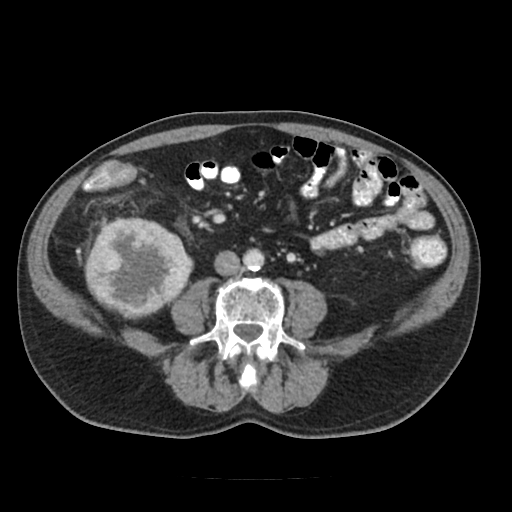
One axial slice (47 of 91, counting up from the lowest) of a contrast-enhanced abdominal CT acquired with 120 kVp, kernel FC18; each pixel is 0.766 mm and the slice is 5.00 mm thick.
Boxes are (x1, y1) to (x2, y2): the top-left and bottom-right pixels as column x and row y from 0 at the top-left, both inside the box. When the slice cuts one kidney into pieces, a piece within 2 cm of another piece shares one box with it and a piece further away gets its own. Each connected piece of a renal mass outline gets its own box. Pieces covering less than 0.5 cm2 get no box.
Right renal mass from (86, 216) to (193, 319) (outlined area 8,265 px, about 48.5 cm2); no kidney outline appears on this slice, but the same outlined renal mass comes within 1 cm of the kidney on another slice.